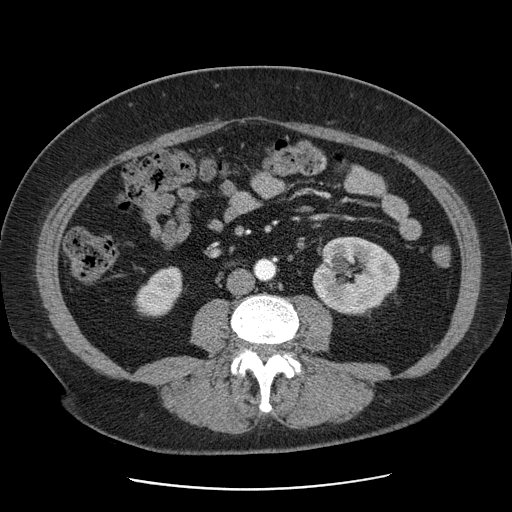
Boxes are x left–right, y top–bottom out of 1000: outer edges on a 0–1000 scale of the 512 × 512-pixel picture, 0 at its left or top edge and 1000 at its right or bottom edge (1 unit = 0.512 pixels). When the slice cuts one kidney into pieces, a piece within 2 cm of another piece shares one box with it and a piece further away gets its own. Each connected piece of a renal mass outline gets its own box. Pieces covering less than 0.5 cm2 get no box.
Slice 24/103 of a contrast-enhanced abdominal CT, counting up from the lowest; pixel size 0.736 mm, slice thickness 2.50 mm. Two boxes on this slice (two kidney boxes), listed by box centre from the image's left to its right. (1) Right kidney, box x 260–357, y 520–621 out of 1000 (outlined area 1,768 px, about 9.6 cm2). (2) Left kidney at x 609–781, y 461–615 out of 1000 (outlined area 5,131 px, about 27.8 cm2). This slice carries no renal mass outline.
Acquired at 120 kVp and reconstructed with the STANDARD kernel.